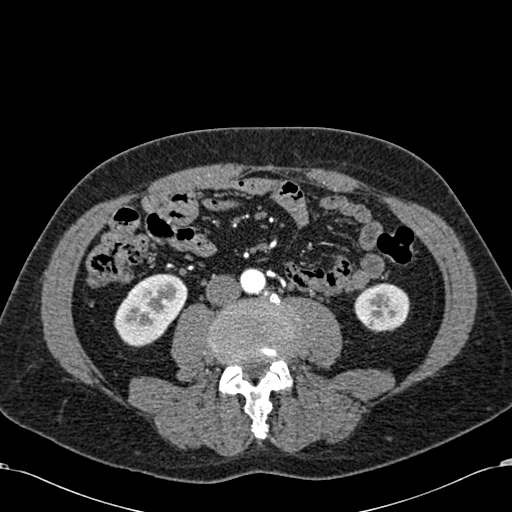
One axial slice (234 of 581, counting up from the lowest) of an arterial-phase abdominal CT acquired with 120 kVp, kernel B30f; each pixel is 0.713 mm and the slice is 1.00 mm thick.
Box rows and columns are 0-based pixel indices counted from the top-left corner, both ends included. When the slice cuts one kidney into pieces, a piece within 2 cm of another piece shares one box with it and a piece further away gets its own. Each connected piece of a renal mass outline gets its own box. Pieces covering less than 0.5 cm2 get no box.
Boxed on this slice (two kidney boxes), listed by box centre from the image's left to its right: (1) Right kidney at rows 273–347, columns 114–187 (outlined area 3,733 px, about 19.0 cm2). (2) Box rows 283–332, columns 354–410: left kidney (outlined area 2,178 px, about 11.1 cm2). No renal mass outline on this slice.